Arterial-phase contrast-enhanced abdominal CT, axial slice 194 of 304 (counted from the lowest slice); tube voltage 100 kVp, convolution kernel I30f; slices 2.00 mm thick, 0.809 mm per pixel.
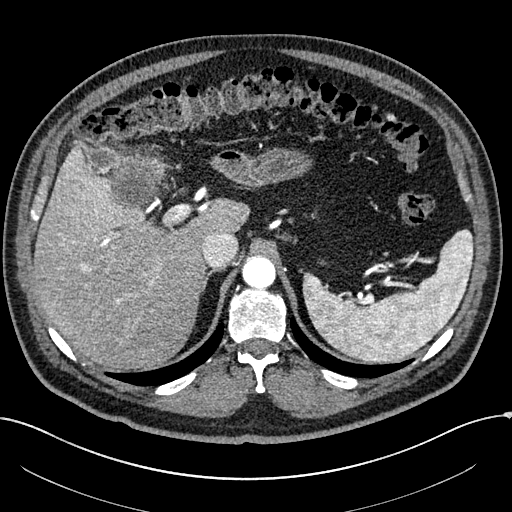
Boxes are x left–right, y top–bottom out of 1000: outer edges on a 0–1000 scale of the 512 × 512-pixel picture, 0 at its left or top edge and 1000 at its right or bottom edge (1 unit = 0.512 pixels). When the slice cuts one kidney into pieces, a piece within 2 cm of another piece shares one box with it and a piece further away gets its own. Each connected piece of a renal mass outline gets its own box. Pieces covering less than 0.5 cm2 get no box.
Right renal mass at x 215–326, y 281–404 out of 1000 (outlined area 2,925 px, about 19.1 cm2); no kidney is outlined on this slice, but the same outlined renal mass comes within 1 cm of the kidney on another slice.